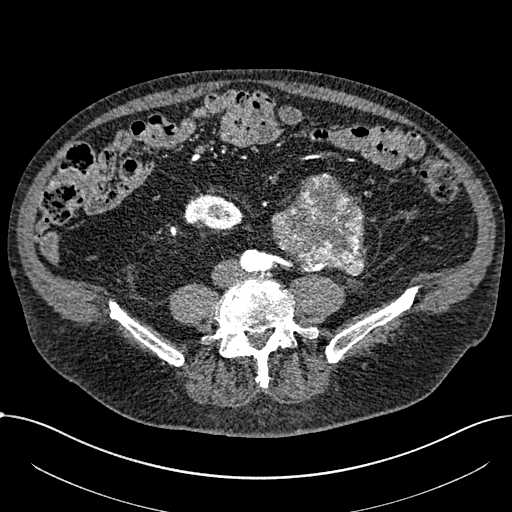
Arterial-phase contrast-enhanced abdominal CT, axial slice 215 of 1059 (counted from the lowest slice); tube voltage 100 kVp, convolution kernel I30f; slices 1.00 mm thick, 0.811 mm per pixel.
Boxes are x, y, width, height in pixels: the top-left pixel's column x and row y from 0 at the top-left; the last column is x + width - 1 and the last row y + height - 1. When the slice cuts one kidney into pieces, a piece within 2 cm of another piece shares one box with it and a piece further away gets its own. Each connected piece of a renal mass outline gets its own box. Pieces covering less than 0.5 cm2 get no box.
Two boxes on this slice (one kidney box and one renal mass box), listed by box centre from the image's left to its right. (1) Right part of the midline-crossing kidney, box x 184, y 193, width 59, height 36 (outlined area 1,604 px, about 10.5 cm2). (2) Box x 272, y 174, width 96, height 103: renal mass (outlined area 6,909 px, about 45.4 cm2); it sits over 1 cm from every kidney outline on this slice, but the same outlined renal mass comes within 1 cm of the kidney on another slice.